One axial slice (17 of 75, counting up from the lowest) of a contrast-enhanced abdominal CT acquired with 140 kVp, kernel B30f; each pixel is 0.875 mm and the slice is 3.00 mm thick.
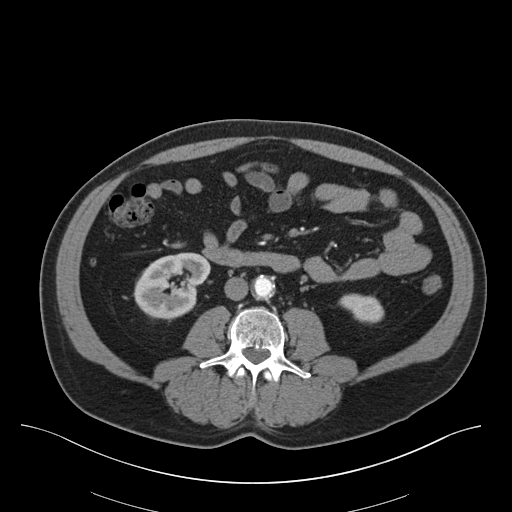
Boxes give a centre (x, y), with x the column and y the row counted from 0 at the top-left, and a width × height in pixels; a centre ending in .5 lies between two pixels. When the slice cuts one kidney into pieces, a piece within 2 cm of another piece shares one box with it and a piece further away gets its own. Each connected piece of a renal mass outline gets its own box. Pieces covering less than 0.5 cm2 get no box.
Two kidney boxes on this slice; by box centre, from the image's left to its right: (1) Right kidney in a box with centre (172, 286.5), 79 × 70 pixels (outlined area 3,756 px, about 28.8 cm2). (2) Left kidney, box centre (361, 308), 47 × 31 pixels (outlined area 979 px, about 7.5 cm2). This slice carries no renal mass outline.